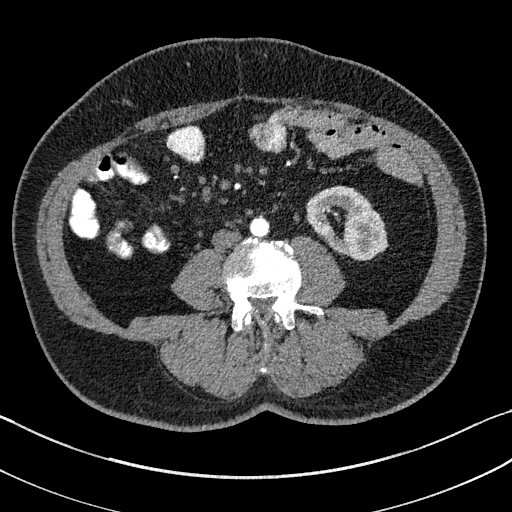
Axial slice 47 of 195 of a contrast-enhanced abdominal CT in the arterial phase (slice 1 is the lowest), 100 kVp, kernel I31f; 1.50 mm slice thickness and 0.707 mm pixels.
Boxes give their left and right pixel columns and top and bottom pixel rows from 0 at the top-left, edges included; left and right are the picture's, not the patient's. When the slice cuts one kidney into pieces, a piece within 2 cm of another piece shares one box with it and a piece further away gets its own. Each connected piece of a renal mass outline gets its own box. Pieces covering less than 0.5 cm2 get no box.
Left kidney in the box with left 306, top 186, right 387, bottom 260 (outlined area 3,877 px, about 19.4 cm2). This slice carries no renal mass outline.